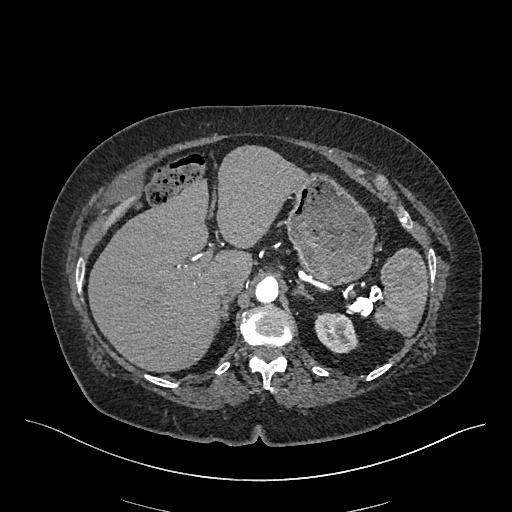
Axial slice 353 of 548 of a contrast-enhanced abdominal CT in the arterial phase (slice 1 is the lowest), 120 kVp, kernel I26f; 1.00 mm slice thickness and 0.852 mm pixels.
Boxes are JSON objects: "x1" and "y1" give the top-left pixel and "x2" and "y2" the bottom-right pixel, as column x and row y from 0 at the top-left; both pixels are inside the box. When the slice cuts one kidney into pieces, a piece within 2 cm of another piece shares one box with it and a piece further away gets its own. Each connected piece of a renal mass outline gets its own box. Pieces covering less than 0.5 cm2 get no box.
Left kidney at {"x1": 314, "y1": 312, "x2": 358, "y2": 353} (outlined area 1,405 px, about 10.2 cm2). No renal mass is outlined on this slice.